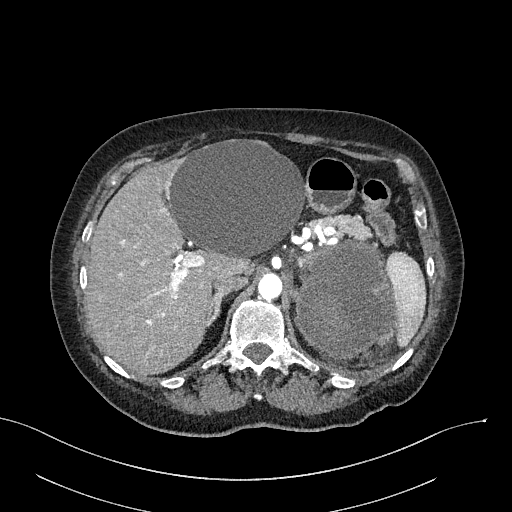
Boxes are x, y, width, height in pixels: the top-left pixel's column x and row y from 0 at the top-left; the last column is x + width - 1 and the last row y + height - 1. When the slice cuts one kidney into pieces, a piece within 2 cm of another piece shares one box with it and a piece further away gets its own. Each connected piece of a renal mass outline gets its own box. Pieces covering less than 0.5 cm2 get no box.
This is axial slice 195 of 316 (slice 1 is the lowest) of an arterial-phase abdominal CT with contrast; each pixel is 0.840 mm and the slice is 2.00 mm thick. Left renal mass at x 295, y 238, width 101, height 123 (outlined area 9,584 px, about 67.6 cm2); no kidney is outlined on this slice, but the same outlined renal mass comes within 1 cm of the kidney on another slice.
Tube voltage 100 kVp; convolution kernel I40f.